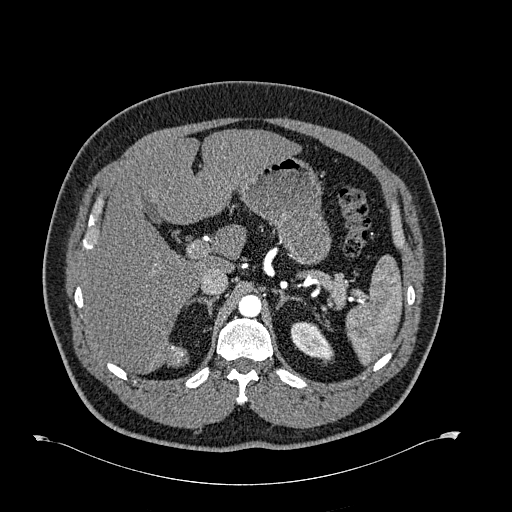
Arterial-phase contrast-enhanced abdominal CT, axial slice 484 of 723 (counted from the lowest slice); tube voltage 120 kVp, convolution kernel B30f; slices 1.00 mm thick, 0.895 mm per pixel.
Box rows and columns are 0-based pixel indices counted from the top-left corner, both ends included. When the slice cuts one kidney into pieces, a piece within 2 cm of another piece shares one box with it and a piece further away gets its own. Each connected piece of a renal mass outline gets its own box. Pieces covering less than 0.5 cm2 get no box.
Left kidney, box rows 321–362, columns 290–334 (outlined area 1,165 px, about 9.3 cm2). No renal mass is outlined on this slice.